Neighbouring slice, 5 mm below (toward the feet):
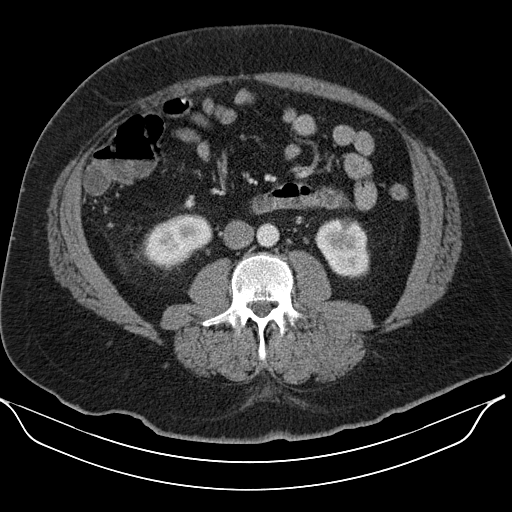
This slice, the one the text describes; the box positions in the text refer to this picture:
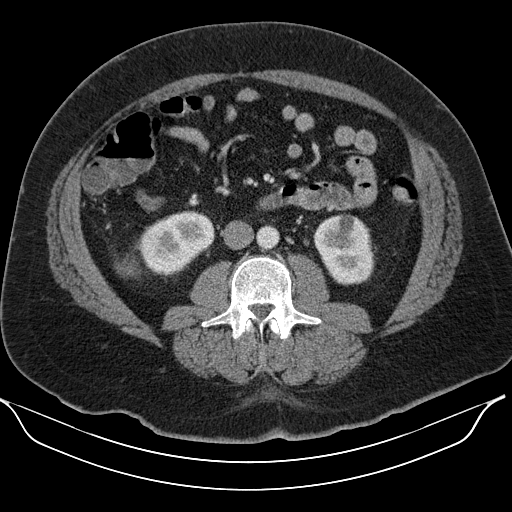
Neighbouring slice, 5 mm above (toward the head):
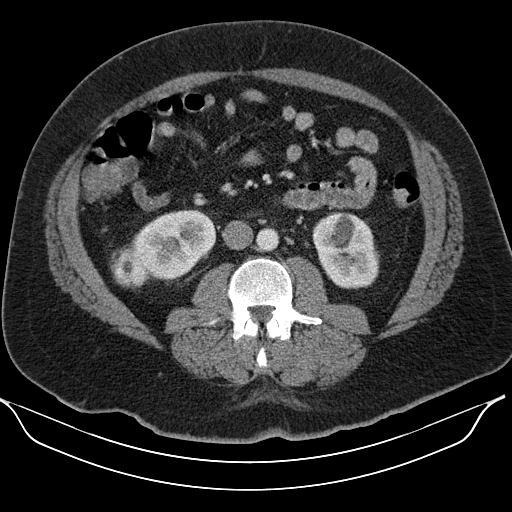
Axial slice 60 of 110 of a contrast-enhanced abdominal CT in the arterial phase (slice 1 is the lowest), 130 kVp, kernel B30s; 5.00 mm slice thickness and 0.836 mm pixels.
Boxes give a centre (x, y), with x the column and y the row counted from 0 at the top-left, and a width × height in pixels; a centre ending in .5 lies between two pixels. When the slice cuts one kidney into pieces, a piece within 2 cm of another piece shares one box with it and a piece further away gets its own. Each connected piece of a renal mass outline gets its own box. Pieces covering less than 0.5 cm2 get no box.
Boxed on this slice (two kidney boxes and one renal mass box), listed by box centre from the image's left to its right: (1) Right renal mass, box centre (127, 265), 27 × 23 pixels (outlined area 386 px, about 2.7 cm2). (2) Right kidney in a box with centre (176, 242), 75 × 63 pixels (outlined area 3,373 px, about 23.6 cm2). (3) Left kidney, box centre (344, 249.5), 63 × 72 pixels (outlined area 3,351 px, about 23.4 cm2). This slice is near the end of the right renal mass toward the feet, so the slices 5 mm below and 5 mm above it are shown as well; the boxes refer to this slice only.